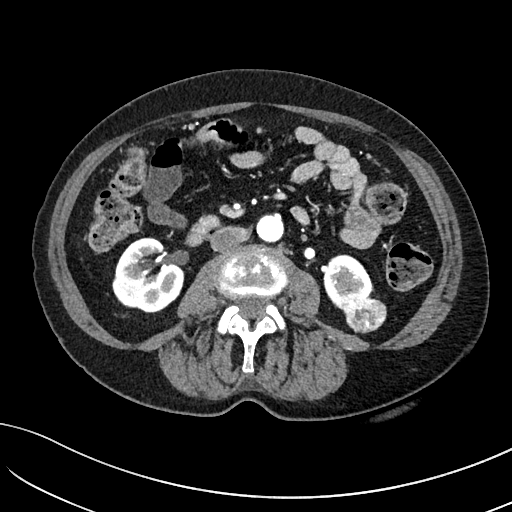
Abdominal CT with intravenous contrast, arterial phase, axial plane, 100 kVp, kernel I40f. Slice 34/234 from the bottom of the scan; thickness 2.00 mm; pixel size 0.699 mm.
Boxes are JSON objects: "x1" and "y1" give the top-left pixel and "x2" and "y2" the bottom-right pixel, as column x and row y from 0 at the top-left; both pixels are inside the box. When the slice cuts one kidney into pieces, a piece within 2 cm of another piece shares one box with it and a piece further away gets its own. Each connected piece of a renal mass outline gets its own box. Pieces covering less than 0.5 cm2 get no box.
Three boxes on this slice (two kidney boxes and one renal mass box), listed by box centre from the image's left to its right. (1) Right kidney, box {"x1": 112, "y1": 237, "x2": 184, "y2": 312} (outlined area 3,992 px, about 19.5 cm2). (2) Box {"x1": 323, "y1": 254, "x2": 373, "y2": 310}: left kidney (outlined area 1,753 px, about 8.6 cm2). (3) Box {"x1": 339, "y1": 291, "x2": 386, "y2": 333}: left renal mass (outlined area 1,413 px, about 6.9 cm2).